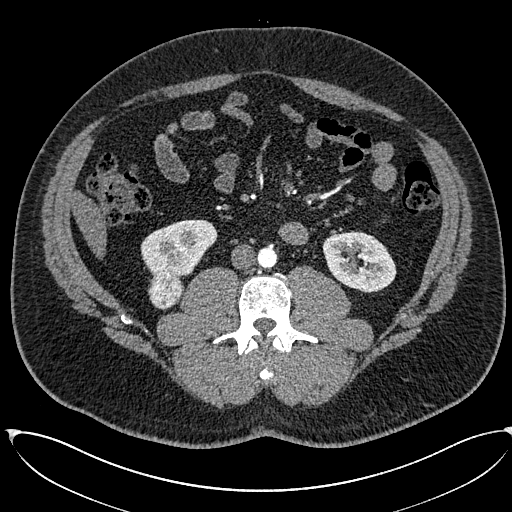
One axial slice (271 of 673, counting up from the lowest) of an arterial-phase abdominal CT acquired with 120 kVp, kernel I30f; each pixel is 0.855 mm and the slice is 1.00 mm thick.
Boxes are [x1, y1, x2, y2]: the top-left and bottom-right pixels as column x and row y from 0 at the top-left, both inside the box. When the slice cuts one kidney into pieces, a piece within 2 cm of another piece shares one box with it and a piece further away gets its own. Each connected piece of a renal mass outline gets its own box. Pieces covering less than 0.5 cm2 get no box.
Two kidney boxes and one renal mass box on this slice; by box centre, from the image's left to its right: (1) Right renal mass at [147, 271, 182, 310] (outlined area 1,072 px, about 7.8 cm2). (2) Right kidney at [140, 219, 217, 276] (outlined area 3,161 px, about 23.1 cm2). (3) Box [322, 231, 396, 292]: left kidney (outlined area 3,387 px, about 24.8 cm2).